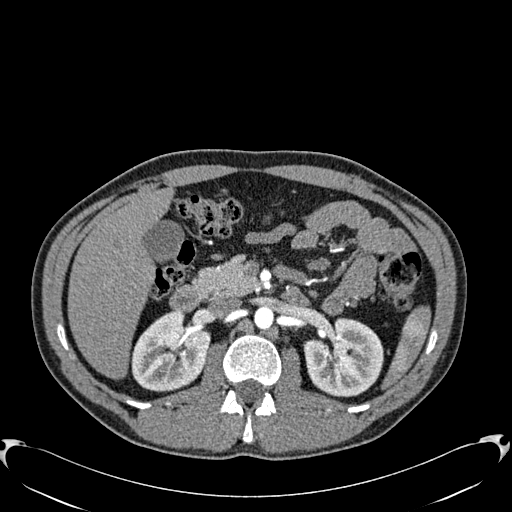
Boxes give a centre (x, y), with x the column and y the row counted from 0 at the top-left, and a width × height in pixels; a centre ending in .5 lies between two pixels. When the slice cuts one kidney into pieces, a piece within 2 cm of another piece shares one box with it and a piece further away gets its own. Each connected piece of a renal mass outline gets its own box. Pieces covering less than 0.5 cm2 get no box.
This is axial slice 376 of 512 (slice 1 is the lowest) of an arterial-phase abdominal CT with contrast; each pixel is 0.771 mm and the slice is 1.00 mm thick. Boxed on this slice (two kidney boxes), listed by box centre from the image's left to its right: (1) Box centre (170.5, 351), 80 × 81 pixels: right kidney (outlined area 4,716 px, about 28.1 cm2). (2) Box centre (343.5, 357.5), 80 × 80 pixels: left kidney (outlined area 4,831 px, about 28.8 cm2). No renal mass outline on this slice.
Acquired at 120 kVp and reconstructed with the B30f kernel.